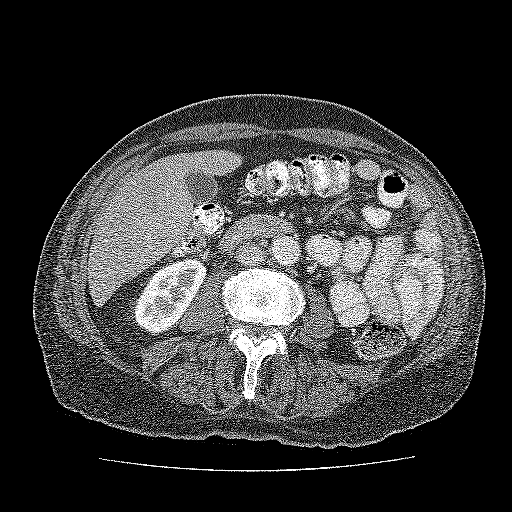
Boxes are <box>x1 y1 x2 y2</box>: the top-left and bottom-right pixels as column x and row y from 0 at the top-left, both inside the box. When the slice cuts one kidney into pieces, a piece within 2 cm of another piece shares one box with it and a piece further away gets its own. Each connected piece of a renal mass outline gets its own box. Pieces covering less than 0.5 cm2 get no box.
Slice 82/137 of a contrast-enhanced abdominal CT, counting up from the lowest; pixel size 0.741 mm, slice thickness 3.00 mm. Kidney: <box>132 258 207 333</box> (outlined area 3,666 px, about 20.1 cm2). No renal mass outline on this slice.
Scan settings: 120 kVp, FC52 reconstruction kernel.